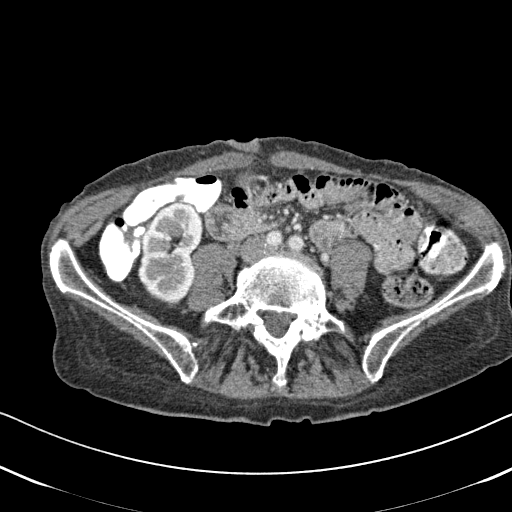
Arterial-phase contrast-enhanced abdominal CT, axial slice 229 of 620 (counted from the lowest slice); tube voltage 120 kVp, convolution kernel B31f; slices 2.00 mm thick, 0.637 mm per pixel.
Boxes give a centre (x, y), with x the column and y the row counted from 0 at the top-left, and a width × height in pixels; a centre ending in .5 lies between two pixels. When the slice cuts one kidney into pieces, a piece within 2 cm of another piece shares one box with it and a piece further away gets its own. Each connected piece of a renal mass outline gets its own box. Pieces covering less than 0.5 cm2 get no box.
Right kidney, box centre (170, 254), 67 × 107 pixels (outlined area 5,174 px, about 21.0 cm2). No renal mass is outlined on this slice.